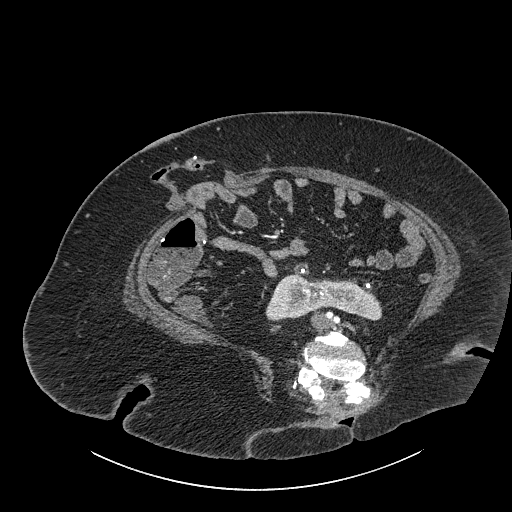
Axial slice 429 of 834 of a contrast-enhanced abdominal CT (slice 1 is the lowest), 140 kVp, kernel I30f; 1.00 mm slice thickness and 0.977 mm pixels.
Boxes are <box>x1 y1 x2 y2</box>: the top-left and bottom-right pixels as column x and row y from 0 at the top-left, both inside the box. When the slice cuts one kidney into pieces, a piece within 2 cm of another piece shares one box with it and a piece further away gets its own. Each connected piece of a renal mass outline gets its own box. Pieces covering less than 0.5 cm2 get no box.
Kidney crossing the body midline at <box>265 266 382 320</box> (outlined area 3,899 px, about 37.2 cm2). This slice carries no renal mass outline.